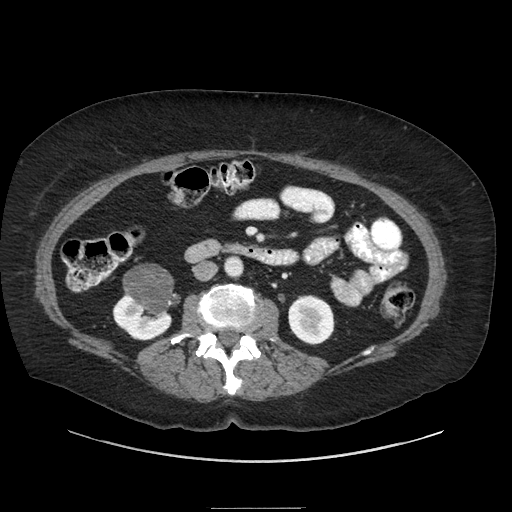
One axial slice (115 of 186, counting up from the lowest) of a contrast-enhanced abdominal CT acquired with 120 kVp, kernel STANDARD; each pixel is 0.850 mm and the slice is 2.50 mm thick.
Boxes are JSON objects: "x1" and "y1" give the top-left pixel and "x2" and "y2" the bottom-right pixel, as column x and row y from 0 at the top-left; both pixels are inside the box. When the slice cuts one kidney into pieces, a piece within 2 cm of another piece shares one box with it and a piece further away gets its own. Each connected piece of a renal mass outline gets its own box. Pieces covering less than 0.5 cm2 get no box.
Two kidney boxes and one renal mass box on this slice; by box centre, from the image's left to its right: (1) Right kidney at {"x1": 112, "y1": 294, "x2": 172, "y2": 340} (outlined area 1,601 px, about 11.6 cm2). (2) Right renal mass at {"x1": 122, "y1": 263, "x2": 180, "y2": 314} (outlined area 2,104 px, about 15.2 cm2). (3) Left kidney, box {"x1": 288, "y1": 294, "x2": 334, "y2": 345} (outlined area 1,878 px, about 13.6 cm2).